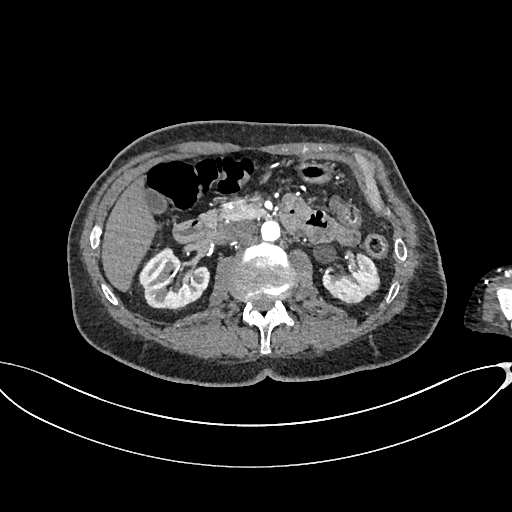
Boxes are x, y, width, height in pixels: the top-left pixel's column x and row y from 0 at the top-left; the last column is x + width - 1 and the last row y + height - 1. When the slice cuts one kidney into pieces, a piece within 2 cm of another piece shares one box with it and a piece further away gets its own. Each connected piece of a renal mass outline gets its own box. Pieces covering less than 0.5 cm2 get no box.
Arterial-phase contrast-enhanced abdominal CT, axial slice 399 of 665 (counted from the lowest slice); 1.00 mm thick, 0.828 mm per pixel. Two boxes on this slice (two kidney boxes), listed by box centre from the image's left to its right. (1) Right kidney, box x 138, y 246, width 73, height 65 (outlined area 3,204 px, about 22.0 cm2). (2) Box x 322, y 252, width 59, height 53: left kidney (outlined area 2,093 px, about 14.4 cm2). No renal mass outline on this slice.
Scan settings: 100 kVp, I26f reconstruction kernel.